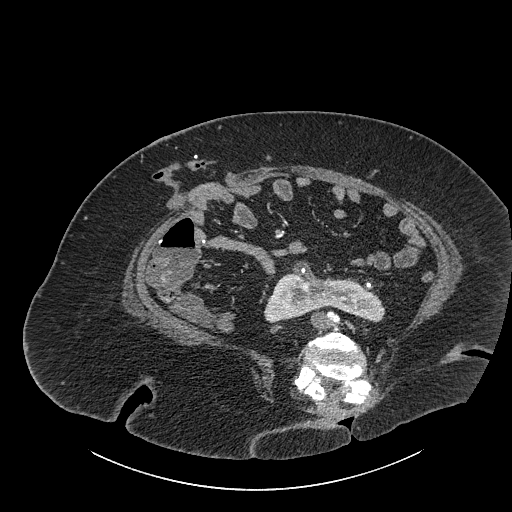
Abdominal CT with intravenous contrast, axial plane, 140 kVp, kernel I30f. Slice 434/834 from the bottom of the scan; thickness 1.00 mm; pixel size 0.977 mm.
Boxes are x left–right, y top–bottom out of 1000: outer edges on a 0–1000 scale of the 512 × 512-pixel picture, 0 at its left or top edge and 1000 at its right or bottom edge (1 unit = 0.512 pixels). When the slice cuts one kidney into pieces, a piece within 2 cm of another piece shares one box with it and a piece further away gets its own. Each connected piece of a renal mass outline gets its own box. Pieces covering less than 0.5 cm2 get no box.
Box x 516–754, y 510–631 out of 1000: kidney crossing the body midline (outlined area 4,334 px, about 41.3 cm2). No renal mass is outlined on this slice.